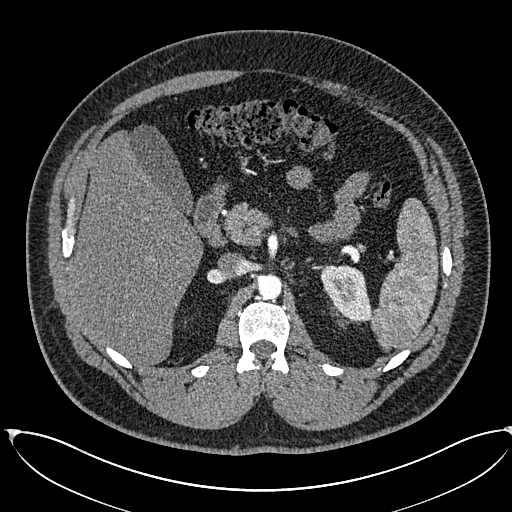
Axial slice 411 of 673 of a contrast-enhanced abdominal CT in the arterial phase (slice 1 is the lowest), 120 kVp, kernel I30f; 1.00 mm slice thickness and 0.855 mm pixels.
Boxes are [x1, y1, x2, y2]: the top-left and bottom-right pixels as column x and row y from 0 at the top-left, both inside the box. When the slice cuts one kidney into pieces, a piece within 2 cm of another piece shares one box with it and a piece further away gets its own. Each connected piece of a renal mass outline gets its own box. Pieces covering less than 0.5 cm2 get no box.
Left kidney at [320, 265, 371, 320] (outlined area 2,097 px, about 15.3 cm2). No renal mass is outlined on this slice.